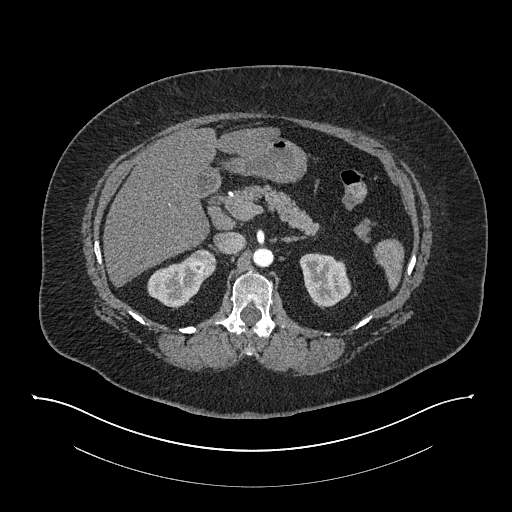
Abdominal CT with intravenous contrast, arterial phase, axial plane, 140 kVp, kernel I30f. Slice 533/673 from the bottom of the scan; thickness 1.00 mm; pixel size 0.957 mm.
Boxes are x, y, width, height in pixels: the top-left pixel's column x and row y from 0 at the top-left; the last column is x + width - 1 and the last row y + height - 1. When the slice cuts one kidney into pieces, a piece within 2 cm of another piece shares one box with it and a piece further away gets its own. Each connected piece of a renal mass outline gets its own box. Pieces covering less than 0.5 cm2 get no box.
Three boxes on this slice (two kidney boxes and one renal mass box), listed by box centre from the image's left to its right. (1) Right kidney at x 147, y 256, width 65, height 53 (outlined area 1,890 px, about 17.3 cm2). (2) Right renal mass at x 189, y 249, width 28, height 27 (outlined area 577 px, about 5.3 cm2). (3) Left kidney at x 299, y 253, width 53, height 56 (outlined area 2,116 px, about 19.4 cm2).